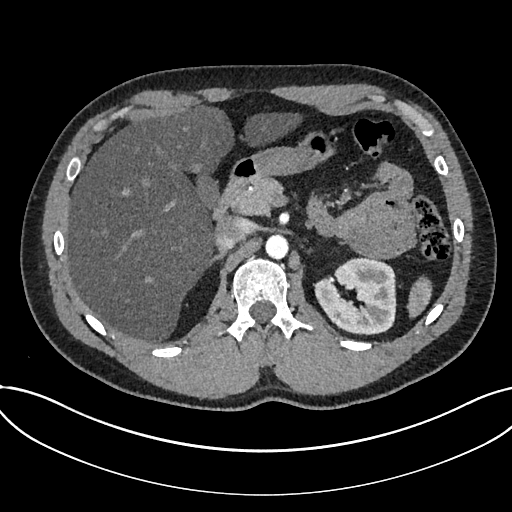
Arterial-phase contrast-enhanced abdominal CT, axial slice 494 of 735 (counted from the lowest slice); tube voltage 120 kVp, convolution kernel I30f; slices 1.00 mm thick, 0.789 mm per pixel.
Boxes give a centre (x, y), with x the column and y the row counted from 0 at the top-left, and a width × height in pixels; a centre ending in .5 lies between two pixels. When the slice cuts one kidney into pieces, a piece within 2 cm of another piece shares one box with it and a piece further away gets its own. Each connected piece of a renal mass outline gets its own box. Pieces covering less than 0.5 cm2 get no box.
Kidney in a box with centre (355, 296), 83 × 79 pixels (outlined area 4,831 px, about 30.1 cm2). This slice carries no renal mass outline.